Abdominal CT with intravenous contrast, arterial phase, axial plane, 120 kVp, kernel B31f. Slice 78/326 from the bottom of the scan; thickness 2.00 mm; pixel size 0.963 mm.
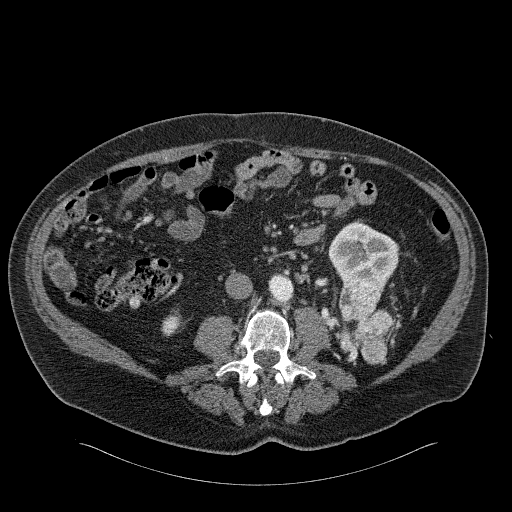
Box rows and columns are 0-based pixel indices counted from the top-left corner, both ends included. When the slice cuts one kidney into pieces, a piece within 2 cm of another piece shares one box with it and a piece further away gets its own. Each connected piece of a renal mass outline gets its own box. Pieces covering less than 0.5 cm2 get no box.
Four boxes on this slice (two kidney boxes and two renal mass boxes), listed by box centre from the image's left to its right. (1) Right kidney at rows 309–336, columns 161–184 (outlined area 373 px, about 3.5 cm2). (2) Box rows 334–352, columns 339–347: left renal mass (outlined area 112 px, about 1.0 cm2); on this slice it lies more than 1 cm from any kidney outline, but the same outlined renal mass comes within 1 cm of the kidney on another slice. (3) Left kidney at rows 222–290, columns 328–399 (outlined area 3,223 px, about 29.9 cm2). (4) Left renal mass, box rows 275–364, columns 339–392 (outlined area 3,233 px, about 30.0 cm2).